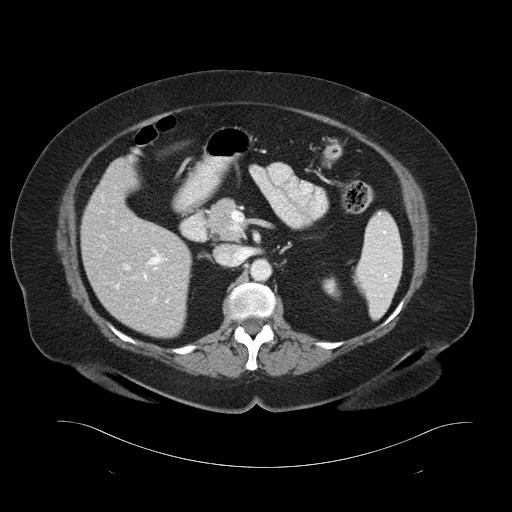
Axial slice 64 of 93 of a contrast-enhanced abdominal CT (slice 1 is the lowest), 120 kVp, kernel B30f; 5.00 mm slice thickness and 0.938 mm pixels.
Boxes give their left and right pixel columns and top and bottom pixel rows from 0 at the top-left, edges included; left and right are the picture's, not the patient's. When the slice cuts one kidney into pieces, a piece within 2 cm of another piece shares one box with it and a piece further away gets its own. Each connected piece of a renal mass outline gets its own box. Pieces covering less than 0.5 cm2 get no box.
Box with left 322, top 277, right 340, bottom 299: left kidney (outlined area 290 px, about 2.5 cm2). This slice carries no renal mass outline.